Axial slice 95 of 157 of a contrast-enhanced abdominal CT in the arterial phase (slice 1 is the lowest), 120 kVp, kernel B30f; 3.00 mm slice thickness and 0.742 mm pixels.
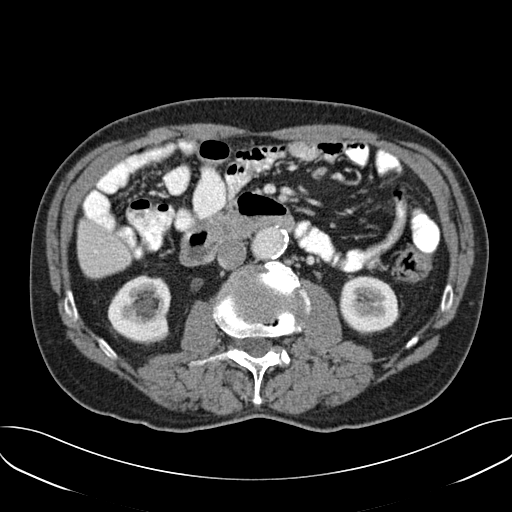
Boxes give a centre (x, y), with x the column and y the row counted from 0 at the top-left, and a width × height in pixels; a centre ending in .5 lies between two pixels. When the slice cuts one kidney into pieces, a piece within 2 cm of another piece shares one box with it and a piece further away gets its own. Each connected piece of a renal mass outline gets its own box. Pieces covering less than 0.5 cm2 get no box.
Two boxes on this slice (two kidney boxes), listed by box centre from the image's left to its right. (1) Right kidney, box centre (139, 309), 65 × 69 pixels (outlined area 3,458 px, about 19.0 cm2). (2) Left kidney, box centre (369, 304.5), 61 × 60 pixels (outlined area 2,832 px, about 15.6 cm2). This slice carries no renal mass outline.